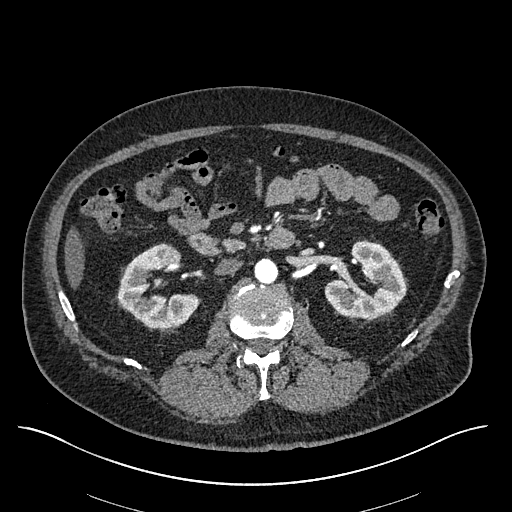
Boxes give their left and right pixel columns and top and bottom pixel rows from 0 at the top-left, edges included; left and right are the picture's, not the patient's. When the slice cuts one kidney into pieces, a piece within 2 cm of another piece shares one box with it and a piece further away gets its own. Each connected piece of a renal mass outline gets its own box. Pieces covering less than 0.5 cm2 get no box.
This is axial slice 328 of 670 (slice 1 is the lowest) of an arterial-phase abdominal CT with contrast; each pixel is 0.861 mm and the slice is 1.00 mm thick. Two kidney boxes and one renal mass box on this slice; by box centre, from the image's left to its right: (1) Right kidney in the box with left 117, top 243, right 198, bottom 328 (outlined area 3,925 px, about 29.1 cm2). (2) Box with left 162, top 246, right 182, bottom 264: right renal mass (outlined area 297 px, about 2.2 cm2). (3) Box with left 324, top 240, right 406, bottom 318: left kidney (outlined area 4,247 px, about 31.5 cm2).
Scan settings: 120 kVp, I30f reconstruction kernel.